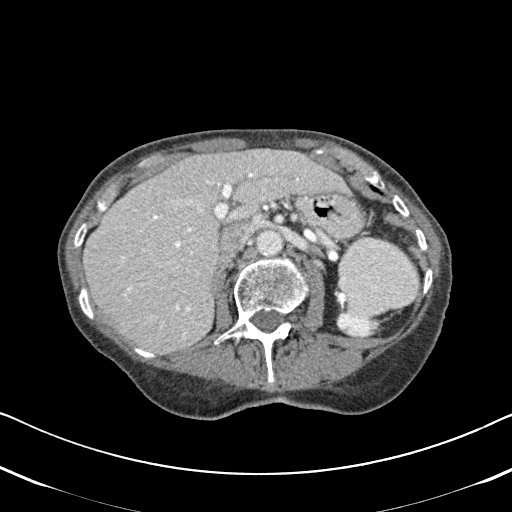
Abdominal CT with intravenous contrast, arterial phase, axial plane, 120 kVp, kernel B31f. Slice 318/620 from the bottom of the scan; thickness 2.00 mm; pixel size 0.637 mm.
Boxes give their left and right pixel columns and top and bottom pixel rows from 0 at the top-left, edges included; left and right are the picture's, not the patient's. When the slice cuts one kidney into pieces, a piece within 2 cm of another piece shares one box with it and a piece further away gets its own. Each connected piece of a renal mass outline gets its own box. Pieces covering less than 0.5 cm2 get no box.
Box with left 335, top 313, right 380, bottom 337: left kidney (outlined area 807 px, about 3.3 cm2). No renal mass is outlined on this slice.